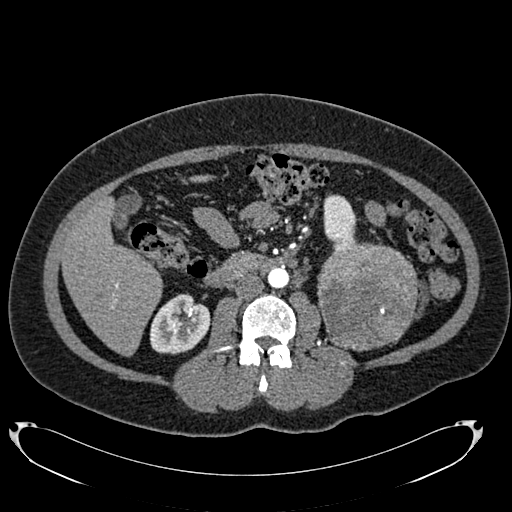
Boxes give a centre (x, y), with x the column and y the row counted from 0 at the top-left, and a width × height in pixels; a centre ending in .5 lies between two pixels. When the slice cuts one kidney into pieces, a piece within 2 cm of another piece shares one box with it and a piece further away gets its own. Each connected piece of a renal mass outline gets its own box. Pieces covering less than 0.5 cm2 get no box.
This is axial slice 383 of 634 (slice 1 is the lowest) of an arterial-phase abdominal CT with contrast; each pixel is 0.838 mm and the slice is 1.00 mm thick. Three boxes on this slice (two kidney boxes and one renal mass box), listed by box centre from the image's left to its right. (1) Box centre (180, 324), 61 × 61 pixels: right kidney (outlined area 2,750 px, about 19.3 cm2). (2) Left kidney in a box with centre (340, 221.5), 35 × 56 pixels (outlined area 1,436 px, about 10.1 cm2). (3) Left renal mass in a box with centre (367.5, 296.5), 102 × 110 pixels (outlined area 8,950 px, about 62.8 cm2).
Tube voltage 120 kVp; convolution kernel B20f.